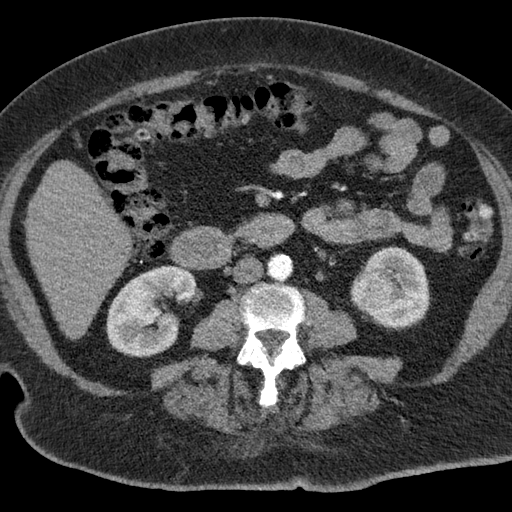
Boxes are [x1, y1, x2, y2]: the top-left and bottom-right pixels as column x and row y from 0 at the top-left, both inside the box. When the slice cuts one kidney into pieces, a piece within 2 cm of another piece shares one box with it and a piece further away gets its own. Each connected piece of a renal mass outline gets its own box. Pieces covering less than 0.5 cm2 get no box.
Slice 25/76 of a contrast-enhanced abdominal CT, counting up from the lowest; pixel size 0.684 mm, slice thickness 3.00 mm. Boxed on this slice (two kidney boxes and one renal mass box), listed by box centre from the image's left to its right: (1) Box [105, 265, 197, 357]: right kidney (outlined area 5,876 px, about 27.5 cm2). (2) Left renal mass at [350, 269, 394, 309] (outlined area 1,503 px, about 7.0 cm2). (3) Box [359, 246, 430, 330]: left kidney (outlined area 3,515 px, about 16.4 cm2).
Tube voltage 120 kVp; convolution kernel B.